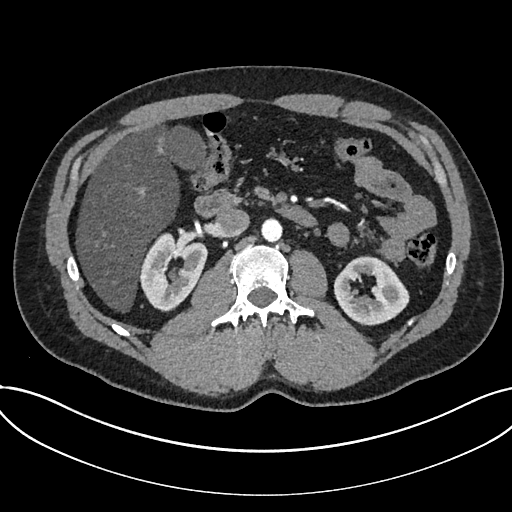
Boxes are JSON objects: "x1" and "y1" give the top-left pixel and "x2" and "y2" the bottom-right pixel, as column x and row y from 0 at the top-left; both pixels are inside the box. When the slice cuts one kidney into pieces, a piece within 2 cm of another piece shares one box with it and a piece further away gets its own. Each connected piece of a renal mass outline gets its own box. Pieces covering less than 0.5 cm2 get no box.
This is axial slice 417 of 735 (slice 1 is the lowest) of an arterial-phase abdominal CT with contrast; each pixel is 0.789 mm and the slice is 1.00 mm thick. Two boxes on this slice (two kidney boxes), listed by box centre from the image's left to its right. (1) Box {"x1": 139, "y1": 232, "x2": 207, "y2": 311}: kidney (outlined area 3,728 px, about 23.2 cm2). (2) Box {"x1": 333, "y1": 255, "x2": 409, "y2": 325}: kidney (outlined area 3,586 px, about 22.3 cm2). This slice carries no renal mass outline.
Scan settings: 120 kVp, I30f reconstruction kernel.